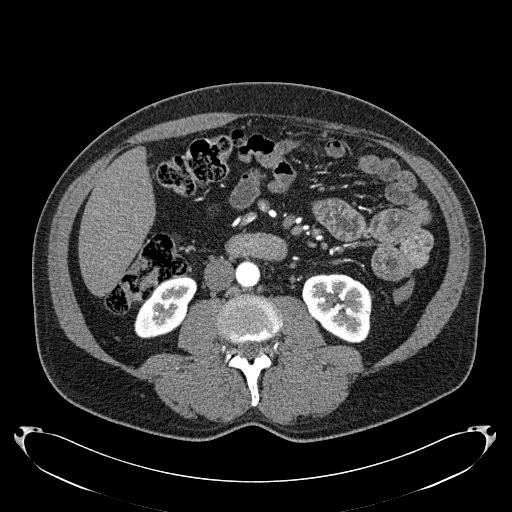
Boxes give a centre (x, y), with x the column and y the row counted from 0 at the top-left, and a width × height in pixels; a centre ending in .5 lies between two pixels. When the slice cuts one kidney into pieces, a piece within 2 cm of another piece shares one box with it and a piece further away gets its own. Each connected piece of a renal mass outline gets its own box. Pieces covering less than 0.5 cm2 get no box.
This is axial slice 89 of 279 (slice 1 is the lowest) of an arterial-phase abdominal CT with contrast; each pixel is 0.824 mm and the slice is 2.00 mm thick. Boxed on this slice (two kidney boxes), listed by box centre from the image's left to its right: (1) Right kidney, box centre (165.5, 307), 64 × 63 pixels (outlined area 2,539 px, about 17.2 cm2). (2) Box centre (336.5, 308), 70 × 71 pixels: left kidney (outlined area 3,718 px, about 25.3 cm2). No renal mass outline on this slice.
Scan settings: 120 kVp, B31f reconstruction kernel.